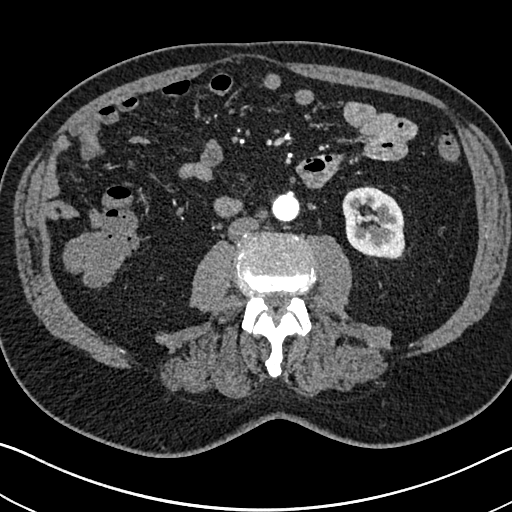
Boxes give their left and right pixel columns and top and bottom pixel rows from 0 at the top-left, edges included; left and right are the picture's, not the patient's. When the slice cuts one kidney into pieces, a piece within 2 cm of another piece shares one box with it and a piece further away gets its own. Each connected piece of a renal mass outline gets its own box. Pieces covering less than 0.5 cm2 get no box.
This is axial slice 320 of 705 (slice 1 is the lowest) of an arterial-phase abdominal CT with contrast; each pixel is 0.703 mm and the slice is 1.00 mm thick. Box with left 342, top 186, right 405, bottom 259: left kidney (outlined area 3,655 px, about 18.1 cm2). No renal mass is outlined on this slice.
Scan settings: 120 kVp, I30f reconstruction kernel.